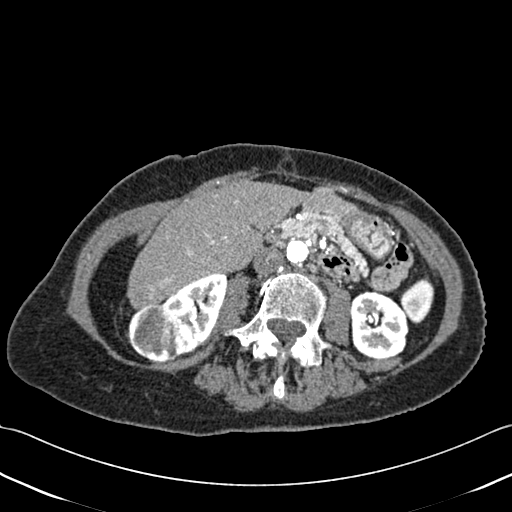
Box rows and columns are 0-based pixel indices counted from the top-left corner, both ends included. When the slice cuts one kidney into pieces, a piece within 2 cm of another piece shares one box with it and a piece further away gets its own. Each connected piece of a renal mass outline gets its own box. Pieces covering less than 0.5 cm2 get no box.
Contrast-enhanced abdominal CT, axial slice 208 of 433 (counted from the lowest slice); 1.00 mm thick, 0.672 mm per pixel. Two kidney boxes and one renal mass box on this slice; by box centre, from the image's left to its right: (1) Box rows 303–361, columns 126–184: right renal mass (outlined area 2,639 px, about 11.9 cm2). (2) Right kidney at rows 273–354, columns 163–228 (outlined area 2,909 px, about 13.1 cm2). (3) Left kidney, box rows 290–359, columns 350–408 (outlined area 3,265 px, about 14.7 cm2).
Acquired at 120 kVp and reconstructed with the B30f kernel.